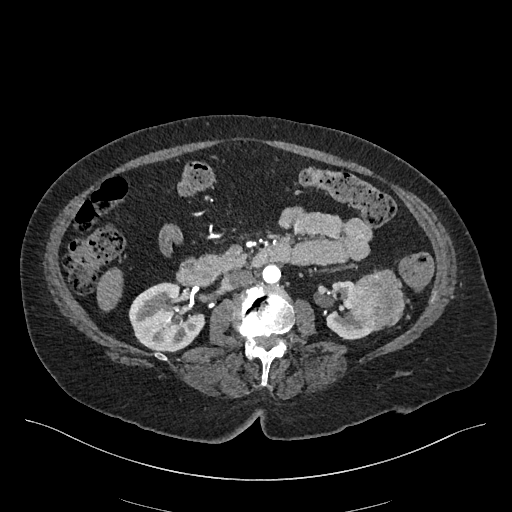
Arterial-phase contrast-enhanced abdominal CT, axial slice 235 of 548 (counted from the lowest slice); tube voltage 120 kVp, convolution kernel I26f; slices 1.00 mm thick, 0.852 mm per pixel.
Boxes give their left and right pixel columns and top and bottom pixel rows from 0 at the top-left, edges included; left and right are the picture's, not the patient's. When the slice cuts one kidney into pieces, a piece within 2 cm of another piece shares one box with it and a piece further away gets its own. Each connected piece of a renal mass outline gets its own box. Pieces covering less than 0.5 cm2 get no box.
Two kidney boxes and one renal mass box on this slice; by box centre, from the image's left to its right: (1) Box with left 128, top 282, right 205, bottom 351: right kidney (outlined area 3,892 px, about 28.2 cm2). (2) Left kidney, the box with left 325, top 280, right 378, bottom 340 (outlined area 1,547 px, about 11.2 cm2). (3) Left renal mass, the box with left 350, top 269, right 404, bottom 329 (outlined area 2,543 px, about 18.4 cm2).